Abdominal CT with intravenous contrast, arterial phase, axial plane, 100 kVp, kernel I40f. Slice 97/316 from the bottom of the scan; thickness 2.00 mm; pixel size 0.840 mm.
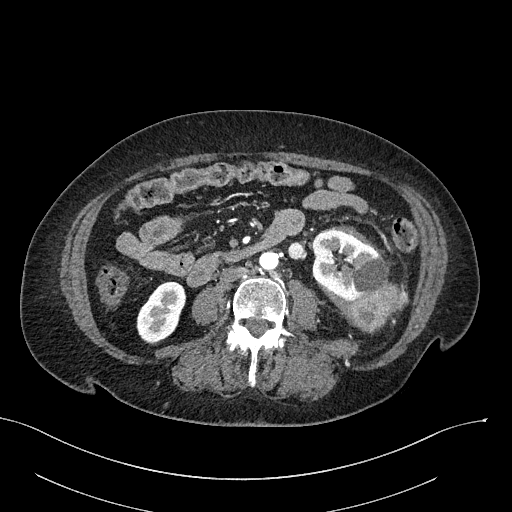
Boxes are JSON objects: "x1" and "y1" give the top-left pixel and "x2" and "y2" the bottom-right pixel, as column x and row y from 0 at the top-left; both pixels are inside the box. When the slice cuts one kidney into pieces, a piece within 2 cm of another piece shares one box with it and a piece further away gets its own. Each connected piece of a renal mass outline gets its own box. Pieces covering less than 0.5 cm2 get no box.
Boxed on this slice (two kidney boxes and one renal mass box), listed by box centre from the image's left to its right: (1) Box {"x1": 136, "y1": 281, "x2": 186, "y2": 343}: right kidney (outlined area 2,184 px, about 15.4 cm2). (2) Box {"x1": 312, "y1": 230, "x2": 388, "y2": 303}: left kidney (outlined area 3,878 px, about 27.4 cm2). (3) Left renal mass, box {"x1": 348, "y1": 281, "x2": 408, "y2": 332} (outlined area 1,942 px, about 13.7 cm2).